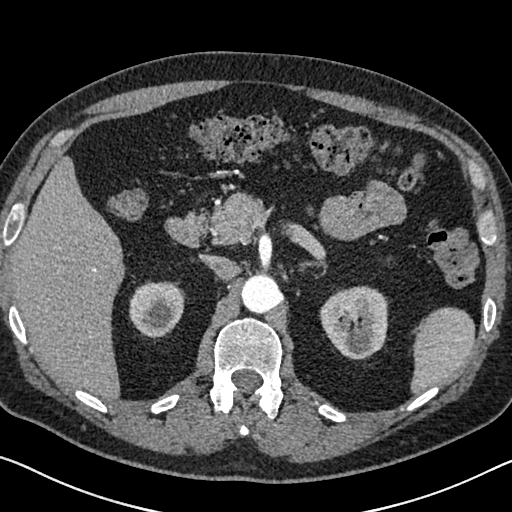
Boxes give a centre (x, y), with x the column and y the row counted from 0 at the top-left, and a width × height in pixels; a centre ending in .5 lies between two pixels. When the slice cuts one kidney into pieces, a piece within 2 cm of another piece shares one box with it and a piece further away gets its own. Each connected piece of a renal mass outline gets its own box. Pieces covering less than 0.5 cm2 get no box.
Slice 463/626 of a contrast-enhanced abdominal CT in the arterial phase, counting up from the lowest; pixel size 0.703 mm, slice thickness 1.00 mm. Boxed on this slice (two kidney boxes), listed by box centre from the image's left to its right: (1) Right kidney, box centre (156.5, 309.5), 56 × 58 pixels (outlined area 2,512 px, about 12.4 cm2). (2) Left kidney, box centre (353.5, 322.5), 70 × 74 pixels (outlined area 3,968 px, about 19.6 cm2). No renal mass is outlined on this slice.
Tube voltage 120 kVp; convolution kernel I30f.